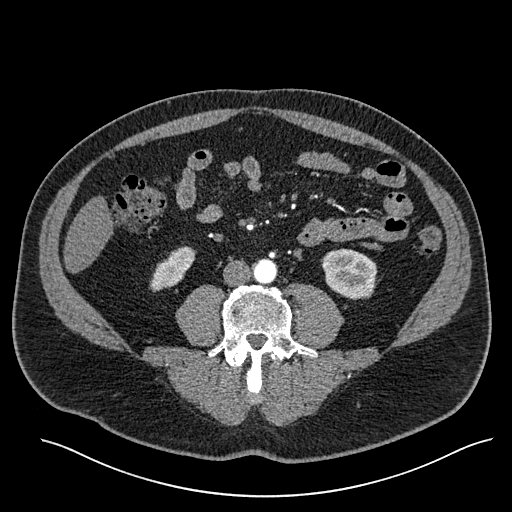
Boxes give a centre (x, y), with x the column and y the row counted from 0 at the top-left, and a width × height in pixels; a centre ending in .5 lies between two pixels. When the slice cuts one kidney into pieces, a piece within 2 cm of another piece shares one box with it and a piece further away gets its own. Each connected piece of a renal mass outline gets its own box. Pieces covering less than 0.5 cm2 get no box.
Arterial-phase contrast-enhanced abdominal CT, axial slice 207 of 527 (counted from the lowest slice); 1.00 mm thick, 0.859 mm per pixel. Boxed on this slice (two kidney boxes), listed by box centre from the image's left to its right: (1) Right kidney, box centre (172.5, 269), 48 × 47 pixels (outlined area 1,236 px, about 9.1 cm2). (2) Left kidney in a box with centre (349, 273.5), 57 × 52 pixels (outlined area 2,243 px, about 16.6 cm2). This slice carries no renal mass outline.
Acquired at 120 kVp and reconstructed with the I30f kernel.